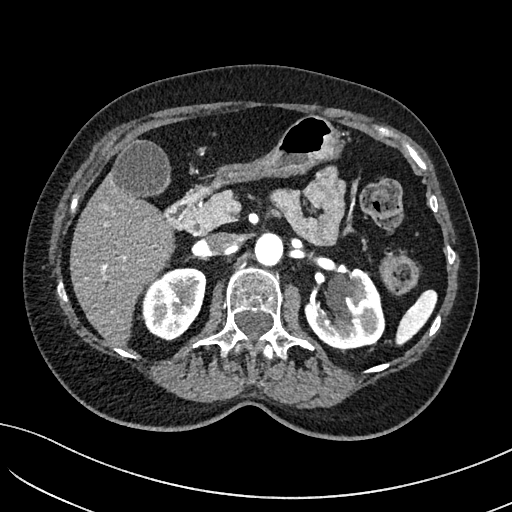
Abdominal CT with intravenous contrast, arterial phase, axial plane, 100 kVp, kernel I40f. Slice 84/234 from the bottom of the scan; thickness 2.00 mm; pixel size 0.699 mm.
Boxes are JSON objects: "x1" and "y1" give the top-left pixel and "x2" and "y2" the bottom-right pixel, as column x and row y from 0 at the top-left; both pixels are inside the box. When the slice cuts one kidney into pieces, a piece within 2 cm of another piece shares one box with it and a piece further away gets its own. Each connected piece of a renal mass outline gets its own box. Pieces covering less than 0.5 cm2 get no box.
Boxed on this slice (two kidney boxes), listed by box centre from the image's left to its right: (1) Right kidney, box {"x1": 141, "y1": 267, "x2": 206, "y2": 340} (outlined area 3,563 px, about 17.4 cm2). (2) Left kidney, box {"x1": 304, "y1": 268, "x2": 385, "y2": 347} (outlined area 4,527 px, about 22.1 cm2). No renal mass is outlined on this slice.